Arterial-phase contrast-enhanced abdominal CT, axial slice 40 of 96 (counted from the lowest slice); tube voltage 130 kVp, convolution kernel B30s; slices 3.00 mm thick, 0.781 mm per pixel.
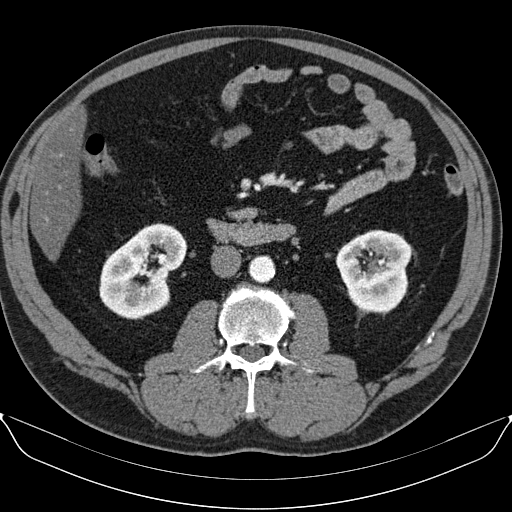
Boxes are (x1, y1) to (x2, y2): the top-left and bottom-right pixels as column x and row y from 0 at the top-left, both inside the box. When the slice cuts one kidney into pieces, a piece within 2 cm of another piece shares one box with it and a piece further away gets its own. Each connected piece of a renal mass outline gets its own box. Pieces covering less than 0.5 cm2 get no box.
Two kidney boxes on this slice; by box centre, from the image's left to its right: (1) Right kidney, box (99, 222) to (187, 319) (outlined area 5,740 px, about 35.0 cm2). (2) Left kidney from (335, 229) to (415, 314) (outlined area 4,896 px, about 29.9 cm2). No renal mass outline on this slice.